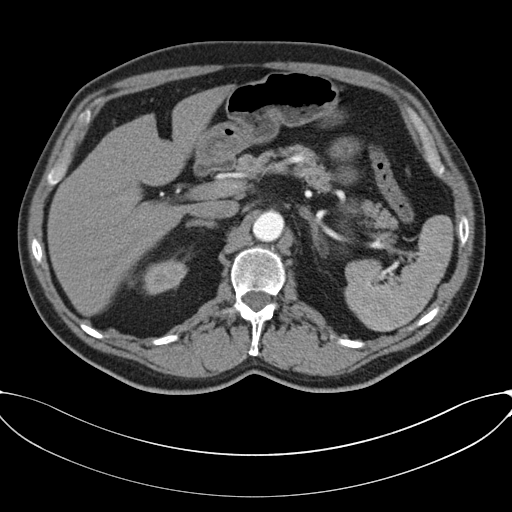
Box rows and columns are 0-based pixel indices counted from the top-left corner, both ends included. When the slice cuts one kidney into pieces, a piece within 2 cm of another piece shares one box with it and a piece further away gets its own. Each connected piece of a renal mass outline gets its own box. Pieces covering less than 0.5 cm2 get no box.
Contrast-enhanced abdominal CT, axial slice 49 of 80 (counted from the lowest slice); 3.00 mm thick, 0.822 mm per pixel. Right kidney at rows 260–294, columns 143–187 (outlined area 1,134 px, about 7.7 cm2). No renal mass outline on this slice.
Acquired at 120 kVp and reconstructed with the B30f kernel.